Axial slice 63 of 91 of a contrast-enhanced abdominal CT (slice 1 is the lowest), 120 kVp, kernel B41f; 5.00 mm slice thickness and 0.762 mm pixels.
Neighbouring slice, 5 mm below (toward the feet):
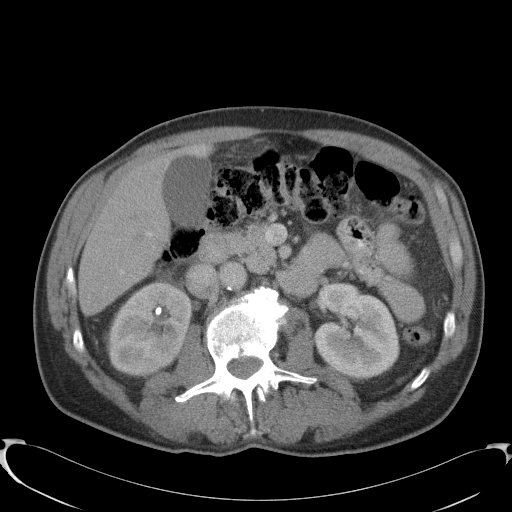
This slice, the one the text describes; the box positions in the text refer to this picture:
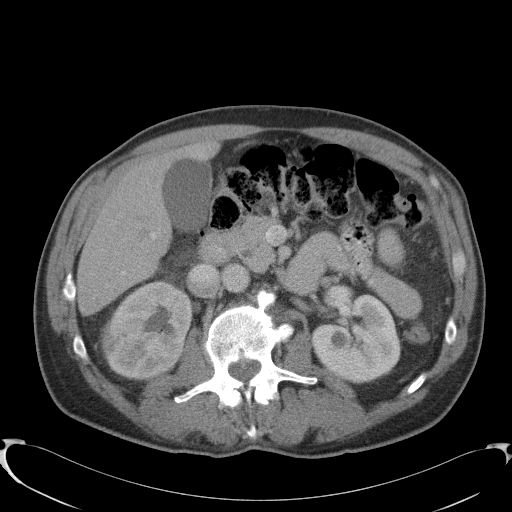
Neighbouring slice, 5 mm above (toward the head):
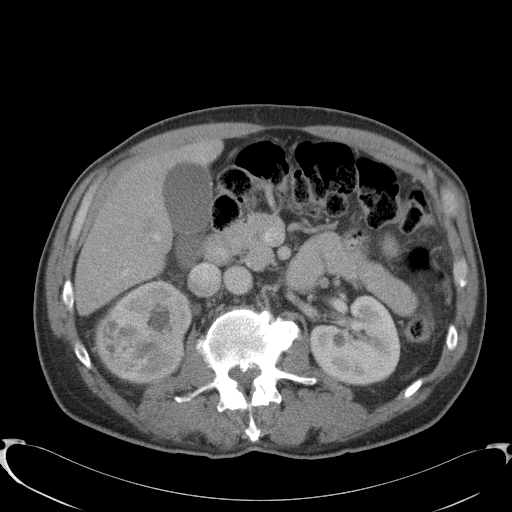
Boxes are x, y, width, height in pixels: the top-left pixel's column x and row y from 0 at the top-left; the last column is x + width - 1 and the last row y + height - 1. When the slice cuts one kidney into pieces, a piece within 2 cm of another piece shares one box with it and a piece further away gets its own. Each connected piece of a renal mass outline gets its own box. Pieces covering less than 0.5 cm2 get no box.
Two kidney boxes and one renal mass box on this slice; by box centre, from the image's left to its right: (1) Right renal mass at x 99, y 321, width 29, height 40 (outlined area 818 px, about 4.7 cm2). (2) Box x 107, y 281, width 86, height 100: right kidney (outlined area 6,075 px, about 35.2 cm2). (3) Left kidney, box x 311, y 283, width 90, height 102 (outlined area 6,405 px, about 37.2 cm2). This slice is near the end of the right renal mass toward the feet, so the slices 5 mm below and 5 mm above it are shown as well; the boxes refer to this slice only.